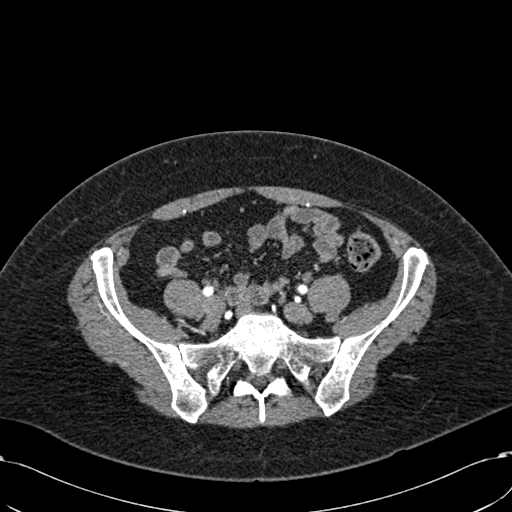
Arterial-phase contrast-enhanced abdominal CT, axial slice 94 of 532 (counted from the lowest slice); 1.00 mm thick, 0.713 mm per pixel. No kidney and no renal mass is outlined on this slice; the outlines in this scan cover only the kidneys and the renal masses, so nothing is said about any other organ.
Tube voltage 120 kVp; convolution kernel B30f.